Axial slice 235 of 670 of a contrast-enhanced abdominal CT in the arterial phase (slice 1 is the lowest), 120 kVp, kernel I30f; 1.00 mm slice thickness and 0.861 mm pixels.
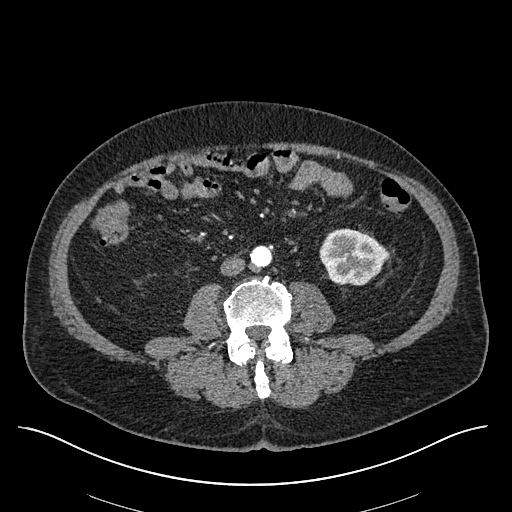
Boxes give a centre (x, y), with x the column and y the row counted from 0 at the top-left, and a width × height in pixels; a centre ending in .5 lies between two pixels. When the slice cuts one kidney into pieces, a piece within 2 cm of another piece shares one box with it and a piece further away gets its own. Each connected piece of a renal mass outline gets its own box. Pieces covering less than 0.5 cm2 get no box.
Left kidney in a box with centre (353, 256.5), 69 × 58 pixels (outlined area 2,992 px, about 22.2 cm2). No renal mass is outlined on this slice.